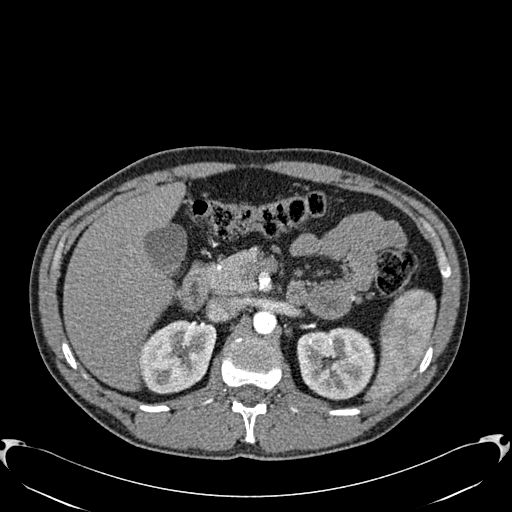
Abdominal CT with intravenous contrast, arterial phase, axial plane, 120 kVp, kernel B30f. Slice 398/512 from the bottom of the scan; thickness 1.00 mm; pixel size 0.771 mm.
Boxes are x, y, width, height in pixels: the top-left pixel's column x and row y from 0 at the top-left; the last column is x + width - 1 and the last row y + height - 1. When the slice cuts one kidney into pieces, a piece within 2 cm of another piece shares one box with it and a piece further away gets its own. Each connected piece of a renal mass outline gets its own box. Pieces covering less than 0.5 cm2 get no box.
Two kidney boxes on this slice; by box centre, from the image's left to its right: (1) Right kidney at x 140, y 320, width 77, height 75 (outlined area 4,343 px, about 25.8 cm2). (2) Box x 297, y 327, width 78, height 74: left kidney (outlined area 4,600 px, about 27.4 cm2). No renal mass is outlined on this slice.